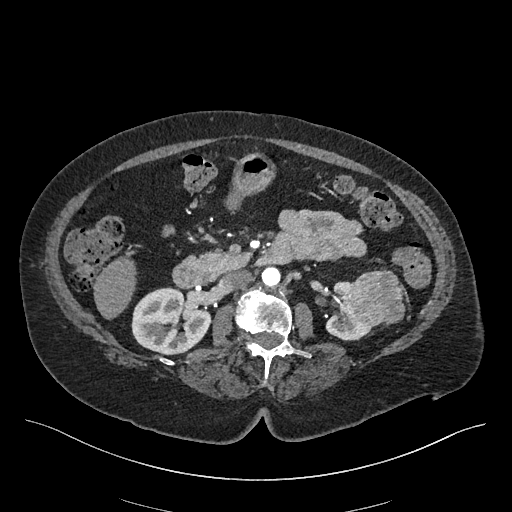
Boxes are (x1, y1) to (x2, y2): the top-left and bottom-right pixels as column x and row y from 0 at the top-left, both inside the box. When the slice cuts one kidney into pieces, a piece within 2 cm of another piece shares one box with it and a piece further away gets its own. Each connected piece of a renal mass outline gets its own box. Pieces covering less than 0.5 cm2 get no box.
Slice 248/548 of a contrast-enhanced abdominal CT in the arterial phase, counting up from the lowest; pixel size 0.852 mm, slice thickness 1.00 mm. Boxed on this slice (two kidney boxes and one renal mass box), listed by box centre from the image's left to its right: (1) Box (131, 287) to (210, 355): right kidney (outlined area 4,100 px, about 29.7 cm2). (2) Box (325, 281) to (372, 340): left kidney (outlined area 1,226 px, about 8.9 cm2). (3) Left renal mass, box (339, 268) to (405, 326) (outlined area 2,875 px, about 20.8 cm2).
Tube voltage 120 kVp; convolution kernel I26f.